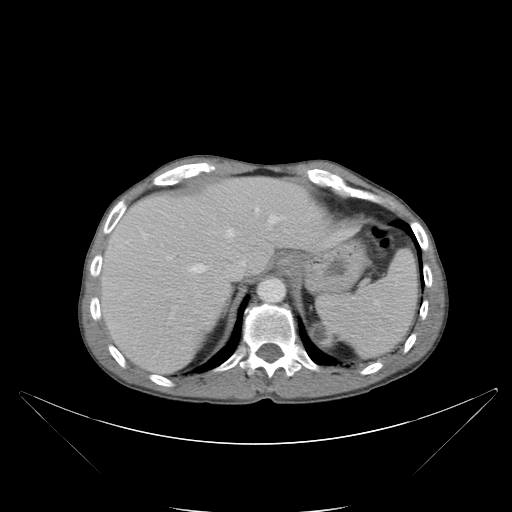
Contrast-enhanced abdominal CT, axial slice 74 of 88 (counted from the lowest slice); tube voltage 120 kVp, convolution kernel B; slices 5.00 mm thick, 0.865 mm per pixel.
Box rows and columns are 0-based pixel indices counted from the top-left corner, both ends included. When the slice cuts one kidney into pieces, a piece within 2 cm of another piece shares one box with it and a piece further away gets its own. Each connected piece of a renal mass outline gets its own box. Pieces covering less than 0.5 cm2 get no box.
Left kidney, box rows 322–348, columns 309–334 (outlined area 481 px, about 3.6 cm2). No renal mass is outlined on this slice.